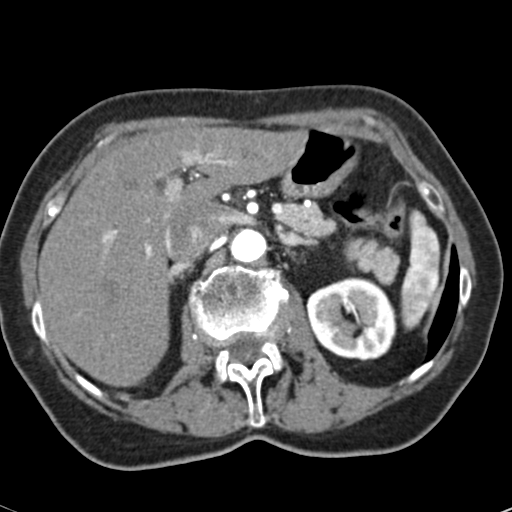
Abdominal CT with intravenous contrast, arterial phase, axial plane, 120 kVp, kernel B30f. Slice 41/53 from the bottom of the scan; thickness 3.00 mm; pixel size 0.547 mm.
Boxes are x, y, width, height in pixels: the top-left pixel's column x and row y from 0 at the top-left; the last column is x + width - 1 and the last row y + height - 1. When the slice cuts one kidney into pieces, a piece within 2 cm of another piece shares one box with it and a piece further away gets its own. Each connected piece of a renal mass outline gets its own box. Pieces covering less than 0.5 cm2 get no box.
Box x 306, y 277, width 91, height 84: left kidney (outlined area 5,812 px, about 17.4 cm2). No renal mass is outlined on this slice.